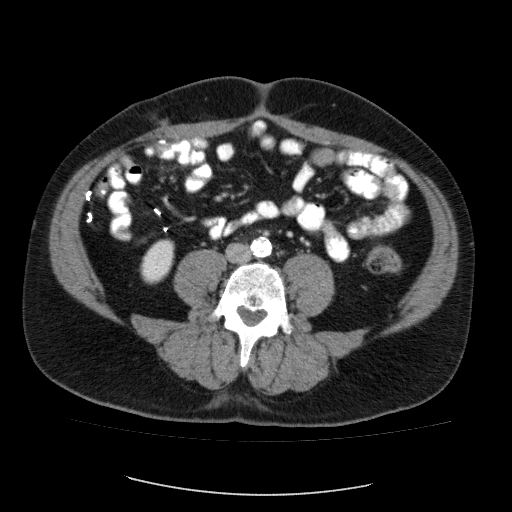
Abdominal CT with intravenous contrast, axial plane, 120 kVp, kernel FC12. Slice 40/87 from the bottom of the scan; thickness 5.00 mm; pixel size 0.812 mm.
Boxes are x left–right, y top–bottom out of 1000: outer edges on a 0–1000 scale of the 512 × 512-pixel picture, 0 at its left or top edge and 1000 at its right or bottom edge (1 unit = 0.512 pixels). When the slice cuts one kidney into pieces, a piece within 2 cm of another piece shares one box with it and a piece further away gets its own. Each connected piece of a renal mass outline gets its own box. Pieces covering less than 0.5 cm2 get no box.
Right kidney, box x 273–342, y 465–557 out of 1000 (outlined area 1,176 px, about 7.8 cm2). This slice carries no renal mass outline.